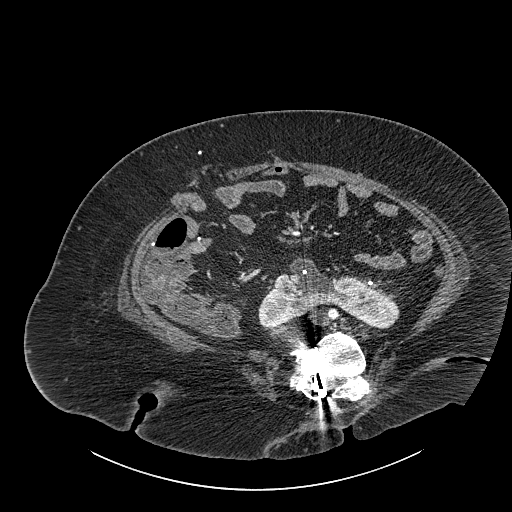
One axial slice (457 of 834, counting up from the lowest) of a contrast-enhanced abdominal CT acquired with 140 kVp, kernel I30f; each pixel is 0.977 mm and the slice is 1.00 mm thick.
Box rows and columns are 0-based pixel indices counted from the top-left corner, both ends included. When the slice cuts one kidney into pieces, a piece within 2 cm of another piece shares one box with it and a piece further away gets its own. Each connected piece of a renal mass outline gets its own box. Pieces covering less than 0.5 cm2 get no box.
Kidney crossing the body midline, box rows 257–329, columns 258–399 (outlined area 5,556 px, about 53.0 cm2). No renal mass is outlined on this slice.